One axial slice (260 of 683, counting up from the lowest) of an arterial-phase abdominal CT acquired with 120 kVp, kernel I30f; each pixel is 0.738 mm and the slice is 1.00 mm thick.
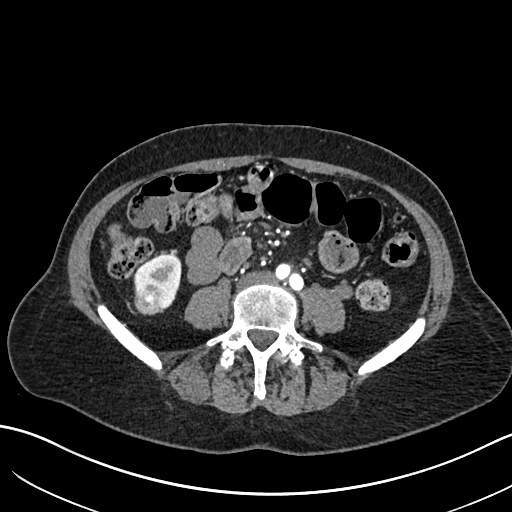
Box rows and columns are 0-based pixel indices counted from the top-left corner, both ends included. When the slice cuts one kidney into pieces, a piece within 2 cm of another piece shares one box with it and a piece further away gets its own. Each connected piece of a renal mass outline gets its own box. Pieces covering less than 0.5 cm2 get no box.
Boxed on this slice (one kidney box and one renal mass box), listed by box centre from the image's left to its right: (1) Right renal mass at rows 283–314, columns 134–163 (outlined area 772 px, about 4.2 cm2). (2) Box rows 254–312, columns 133–181: right kidney (outlined area 1,588 px, about 8.7 cm2).